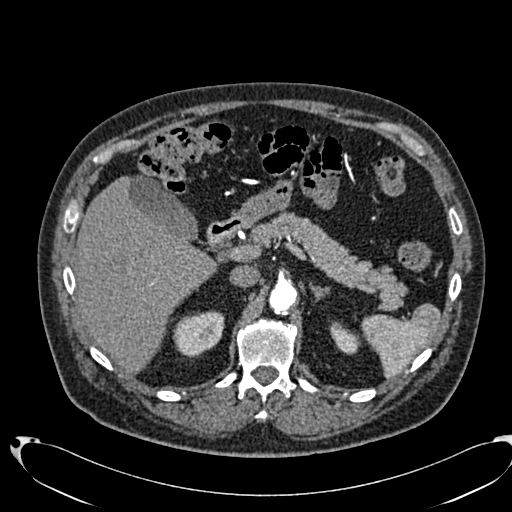
One axial slice (488 of 553, counting up from the lowest) of an arterial-phase abdominal CT acquired with 120 kVp, kernel B20f; each pixel is 0.773 mm and the slice is 1.00 mm thick.
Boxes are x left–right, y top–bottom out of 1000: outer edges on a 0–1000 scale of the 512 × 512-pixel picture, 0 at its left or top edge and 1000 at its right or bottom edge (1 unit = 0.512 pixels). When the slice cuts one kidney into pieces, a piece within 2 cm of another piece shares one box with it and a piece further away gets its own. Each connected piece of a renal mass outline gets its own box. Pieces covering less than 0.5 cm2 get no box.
Two boxes on this slice (two kidney boxes), listed by box centre from the image's left to its right. (1) Right kidney at x 338–439, y 605–699 out of 1000 (outlined area 1,807 px, about 10.8 cm2). (2) Box x 643–705, y 627–693 out of 1000: left kidney (outlined area 648 px, about 3.9 cm2). This slice carries no renal mass outline.